Axial slice 214 of 274 of a contrast-enhanced abdominal CT (slice 1 is the lowest), 120 kVp, kernel B31f; 2.00 mm slice thickness and 0.977 mm pixels.
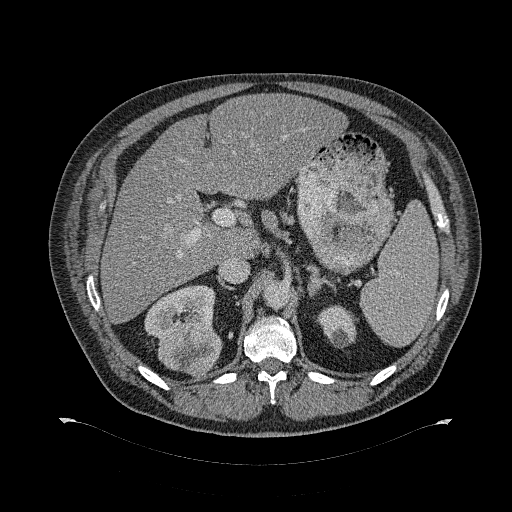
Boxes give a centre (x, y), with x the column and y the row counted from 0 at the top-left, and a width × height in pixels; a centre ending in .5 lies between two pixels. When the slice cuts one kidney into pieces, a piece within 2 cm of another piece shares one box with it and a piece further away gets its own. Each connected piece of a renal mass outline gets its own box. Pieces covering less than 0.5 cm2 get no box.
Three boxes on this slice (two kidney boxes and one renal mass box), listed by box centre from the image's left to its right. (1) Right kidney, box centre (179, 312), 71 × 55 pixels (outlined area 2,504 px, about 23.9 cm2). (2) Box centre (190, 349.5), 65 × 54 pixels: right renal mass (outlined area 2,620 px, about 25.0 cm2). (3) Box centre (337, 326), 43 × 45 pixels: left kidney (outlined area 1,271 px, about 12.1 cm2).